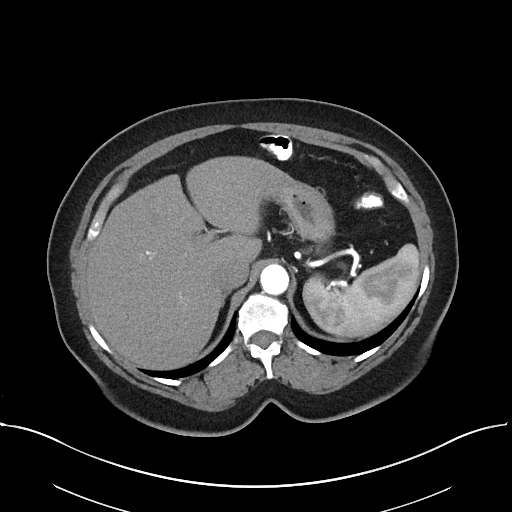
Abdominal CT with intravenous contrast, arterial phase, axial plane, 100 kVp, kernel I40f. Slice 31/38 from the bottom of the scan; thickness 5.00 mm; pixel size 0.822 mm.
Outside the outlined region: no kidney outline and no renal mass outline on this slice. The scan's outlines cover only kidneys and renal masses; no other organ is outlined.